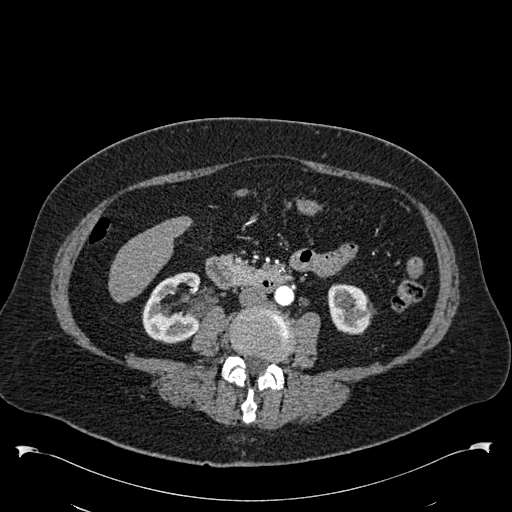
Abdominal CT with intravenous contrast, arterial phase, axial plane, 120 kVp, kernel B30f. Slice 256/538 from the bottom of the scan; thickness 1.00 mm; pixel size 0.811 mm.
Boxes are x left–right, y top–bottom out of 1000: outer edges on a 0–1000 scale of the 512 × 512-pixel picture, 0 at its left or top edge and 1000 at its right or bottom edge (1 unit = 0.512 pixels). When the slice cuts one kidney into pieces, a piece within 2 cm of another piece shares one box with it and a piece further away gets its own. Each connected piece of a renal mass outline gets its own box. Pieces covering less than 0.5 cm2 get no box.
Two kidney boxes on this slice; by box centre, from the image's left to its right: (1) Right kidney at x 277–393, y 531–672 out of 1000 (outlined area 3,031 px, about 19.9 cm2). (2) Left kidney, box x 639–734, y 555–654 out of 1000 (outlined area 1,859 px, about 12.2 cm2). No renal mass is outlined on this slice.